Abdominal CT with intravenous contrast, arterial phase, axial plane, 140 kVp, kernel I30f. Slice 521/673 from the bottom of the scan; thickness 1.00 mm; pixel size 0.957 mm.
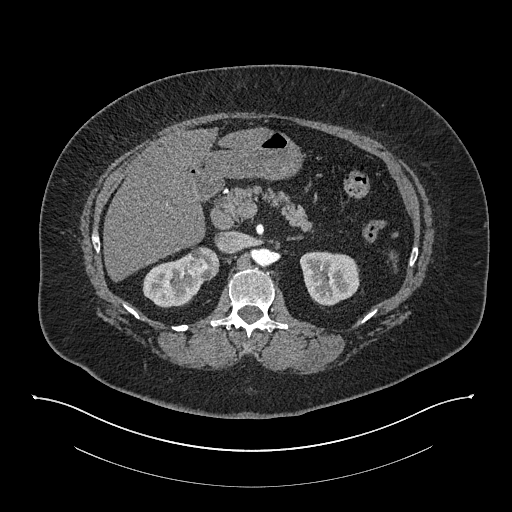
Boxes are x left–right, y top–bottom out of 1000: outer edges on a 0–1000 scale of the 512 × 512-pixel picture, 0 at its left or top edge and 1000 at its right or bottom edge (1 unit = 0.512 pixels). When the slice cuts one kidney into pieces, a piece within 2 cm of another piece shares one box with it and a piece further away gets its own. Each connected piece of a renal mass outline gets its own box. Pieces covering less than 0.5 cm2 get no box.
Two kidney boxes and one renal mass box on this slice; by box centre, from the image's left to its right: (1) Right kidney at x 277–400, y 494–602 out of 1000 (outlined area 2,120 px, about 19.4 cm2). (2) Right renal mass at x 365–430, y 480–549 out of 1000 (outlined area 902 px, about 8.3 cm2). (3) Left kidney, box x 584–703, y 490–598 out of 1000 (outlined area 2,594 px, about 23.8 cm2).